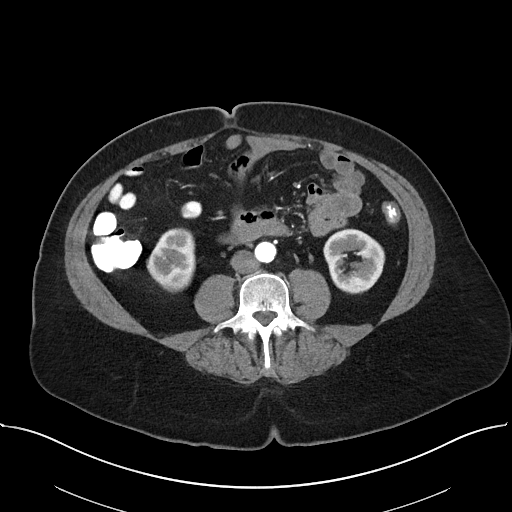
Arterial-phase contrast-enhanced abdominal CT, axial slice 9 of 38 (counted from the lowest slice); tube voltage 100 kVp, convolution kernel I40f; slices 5.00 mm thick, 0.822 mm per pixel.
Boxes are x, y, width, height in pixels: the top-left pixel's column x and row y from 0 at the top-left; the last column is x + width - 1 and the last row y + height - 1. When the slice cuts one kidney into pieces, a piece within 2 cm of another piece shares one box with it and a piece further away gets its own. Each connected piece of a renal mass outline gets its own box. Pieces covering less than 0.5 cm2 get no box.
Two boxes on this slice (two kidney boxes), listed by box centre from the image's left to its right. (1) Right kidney, box x 146, y 228, width 50, height 65 (outlined area 2,419 px, about 16.4 cm2). (2) Left kidney at x 323, y 228, width 63, height 67 (outlined area 2,986 px, about 20.2 cm2). No renal mass is outlined on this slice.